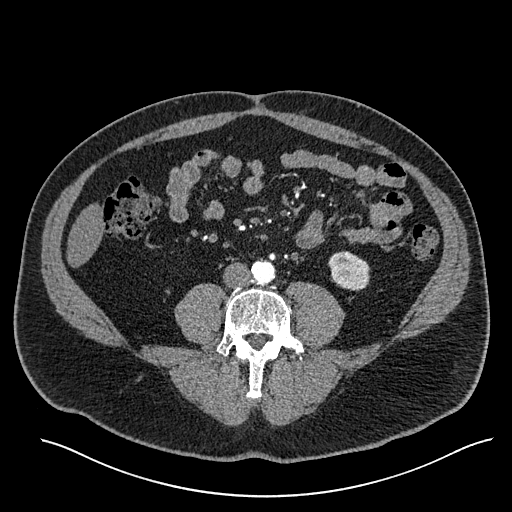
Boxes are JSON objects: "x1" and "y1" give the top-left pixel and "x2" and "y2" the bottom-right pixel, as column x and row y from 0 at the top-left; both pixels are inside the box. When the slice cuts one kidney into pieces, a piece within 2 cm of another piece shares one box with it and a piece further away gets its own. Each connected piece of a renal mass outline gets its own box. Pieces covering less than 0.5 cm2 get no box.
Arterial-phase contrast-enhanced abdominal CT, axial slice 192 of 527 (counted from the lowest slice); 1.00 mm thick, 0.859 mm per pixel. Left kidney at {"x1": 328, "y1": 251, "x2": 370, "y2": 291} (outlined area 1,304 px, about 9.6 cm2). No renal mass is outlined on this slice.
Tube voltage 120 kVp; convolution kernel I30f.